Abdominal CT with intravenous contrast, arterial phase, axial plane, 120 kVp, kernel I30f. Slice 370/541 from the bottom of the scan; thickness 1.00 mm; pixel size 0.834 mm.
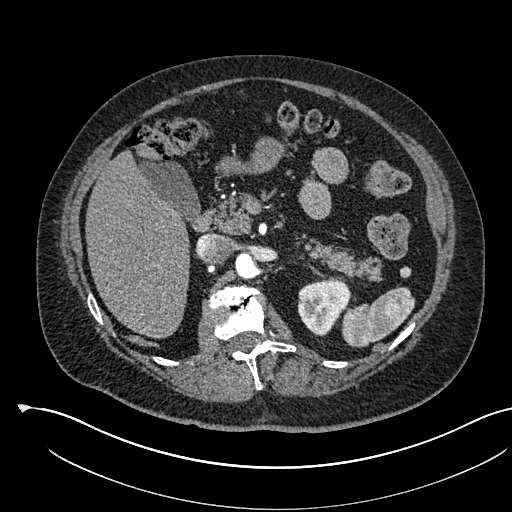
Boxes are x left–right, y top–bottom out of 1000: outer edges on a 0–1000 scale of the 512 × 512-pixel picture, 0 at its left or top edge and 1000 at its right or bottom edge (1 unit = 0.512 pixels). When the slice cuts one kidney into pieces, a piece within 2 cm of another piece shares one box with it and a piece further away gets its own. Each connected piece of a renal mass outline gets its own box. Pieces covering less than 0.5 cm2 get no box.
Box x 580–686, y 543–658 out of 1000: left kidney (outlined area 2,223 px, about 15.5 cm2). No renal mass outline on this slice.